One axial slice (382 of 532, counting up from the lowest) of an arterial-phase abdominal CT acquired with 120 kVp, kernel B30f; each pixel is 0.713 mm and the slice is 1.00 mm thick.
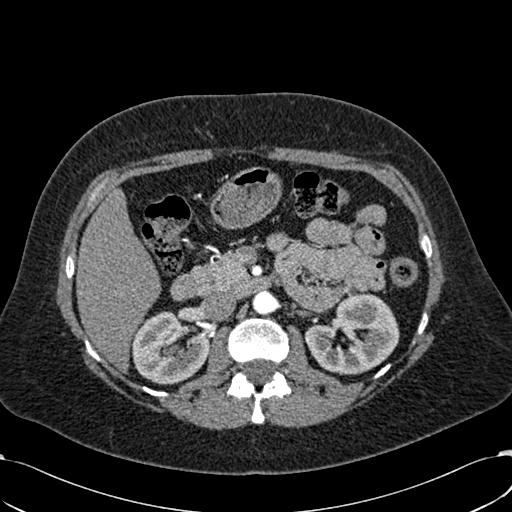
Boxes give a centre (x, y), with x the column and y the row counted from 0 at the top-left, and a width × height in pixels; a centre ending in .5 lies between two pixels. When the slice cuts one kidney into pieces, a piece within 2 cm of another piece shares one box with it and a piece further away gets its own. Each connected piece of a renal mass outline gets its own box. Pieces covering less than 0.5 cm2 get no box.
Two kidney boxes on this slice; by box centre, from the image's left to its right: (1) Right kidney, box centre (170, 347.5), 79 × 74 pixels (outlined area 4,234 px, about 21.5 cm2). (2) Left kidney in a box with centre (351.5, 333), 96 × 83 pixels (outlined area 5,270 px, about 26.8 cm2). No renal mass is outlined on this slice.